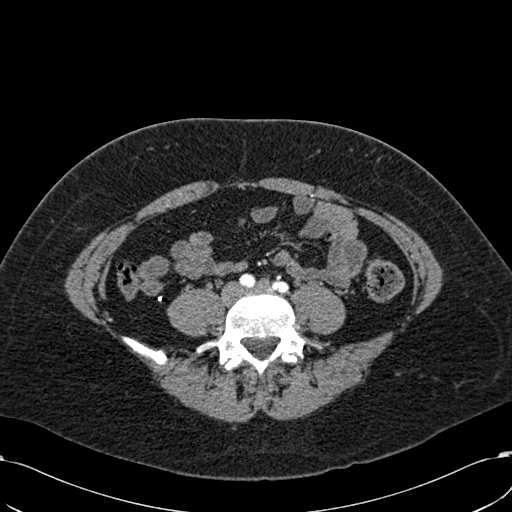
Arterial-phase contrast-enhanced abdominal CT, axial slice 175 of 532 (counted from the lowest slice); tube voltage 120 kVp, convolution kernel B30f; slices 1.00 mm thick, 0.713 mm per pixel.
No kidney and no renal mass is outlined on this slice; the outlines in this scan cover only the kidneys and the renal masses, so nothing is said about any other organ.